Arterial-phase contrast-enhanced abdominal CT, axial slice 402 of 738 (counted from the lowest slice); tube voltage 120 kVp, convolution kernel I30f; slices 1.00 mm thick, 0.789 mm per pixel.
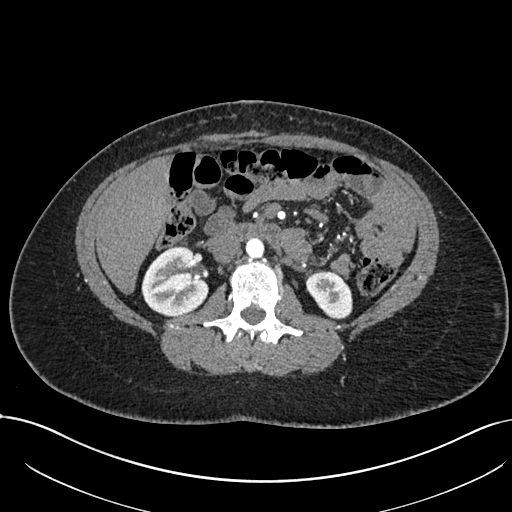
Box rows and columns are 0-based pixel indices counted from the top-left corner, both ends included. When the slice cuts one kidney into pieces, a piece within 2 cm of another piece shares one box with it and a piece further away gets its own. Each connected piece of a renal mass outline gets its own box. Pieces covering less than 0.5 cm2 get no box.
Two boxes on this slice (two kidney boxes), listed by box centre from the image's left to its right. (1) Right kidney, box rows 246–316, columns 141–208 (outlined area 3,525 px, about 21.9 cm2). (2) Left kidney at rows 270–319, columns 305–352 (outlined area 1,677 px, about 10.4 cm2). No renal mass is outlined on this slice.